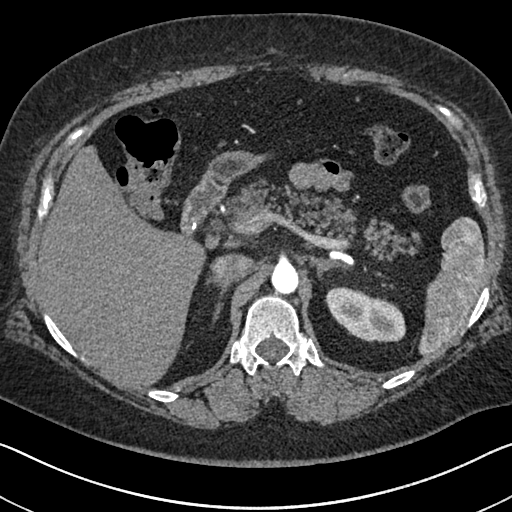
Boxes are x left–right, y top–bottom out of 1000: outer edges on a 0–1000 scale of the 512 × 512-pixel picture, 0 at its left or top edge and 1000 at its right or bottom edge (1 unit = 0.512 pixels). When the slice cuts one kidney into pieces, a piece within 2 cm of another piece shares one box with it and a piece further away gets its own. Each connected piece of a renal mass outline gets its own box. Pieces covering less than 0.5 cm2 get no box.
This is axial slice 487 of 591 (slice 1 is the lowest) of an arterial-phase abdominal CT with contrast; each pixel is 0.703 mm and the slice is 1.00 mm thick. Box x 635–793, y 559–670 out of 1000: left kidney (outlined area 3,122 px, about 15.4 cm2). No renal mass is outlined on this slice.
Tube voltage 140 kVp; convolution kernel I30f.